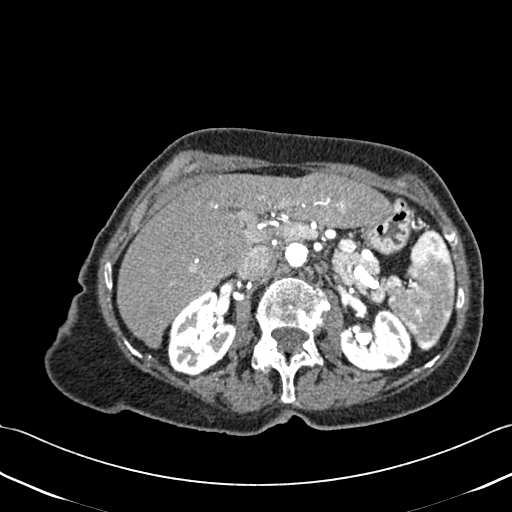
Contrast-enhanced abdominal CT, axial slice 279 of 433 (counted from the lowest slice); tube voltage 120 kVp, convolution kernel B30f; slices 1.00 mm thick, 0.672 mm per pixel.
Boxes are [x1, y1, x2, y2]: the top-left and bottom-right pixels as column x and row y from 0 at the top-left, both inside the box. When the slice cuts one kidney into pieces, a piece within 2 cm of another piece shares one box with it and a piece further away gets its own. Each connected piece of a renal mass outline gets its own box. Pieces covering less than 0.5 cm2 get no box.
Two boxes on this slice (two kidney boxes), listed by box centre from the image's left to its right. (1) Right kidney, box [167, 292, 236, 375] (outlined area 4,089 px, about 18.5 cm2). (2) Left kidney at [339, 307, 411, 371] (outlined area 3,368 px, about 15.2 cm2). This slice carries no renal mass outline.